One axial slice (165 of 199, counting up from the lowest) of an arterial-phase abdominal CT acquired with 120 kVp, kernel STANDARD; each pixel is 0.789 mm and the slice is 2.50 mm thick.
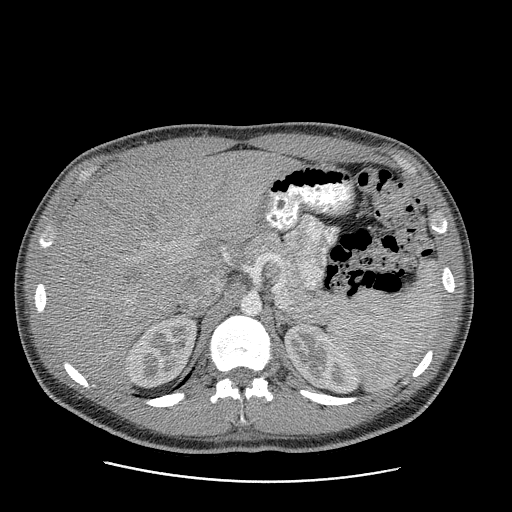
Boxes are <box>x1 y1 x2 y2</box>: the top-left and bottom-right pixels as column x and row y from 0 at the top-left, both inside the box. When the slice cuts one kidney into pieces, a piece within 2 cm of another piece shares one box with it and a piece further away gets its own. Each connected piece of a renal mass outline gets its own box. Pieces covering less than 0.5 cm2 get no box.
Two boxes on this slice (two kidney boxes), listed by box centre from the image's left to its right. (1) At <box>127 315 197 388</box>: right kidney (outlined area 3,751 px, about 23.4 cm2). (2) Left kidney: <box>284 324 360 393</box> (outlined area 3,553 px, about 22.1 cm2). No renal mass outline on this slice.